Arterial-phase contrast-enhanced abdominal CT, axial slice 55 of 97 (counted from the lowest slice); tube voltage 120 kVp, convolution kernel B30f; slices 5.00 mm thick, 0.824 mm per pixel.
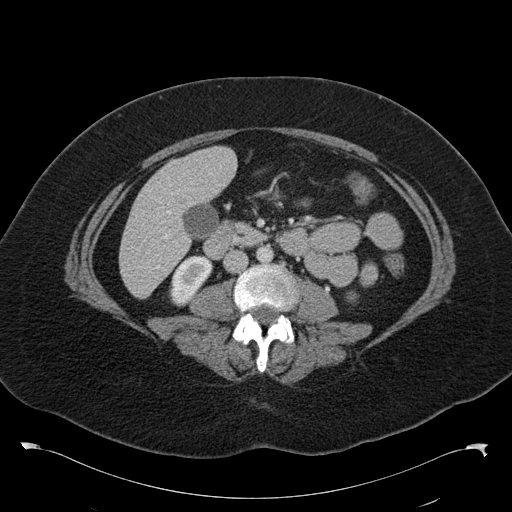
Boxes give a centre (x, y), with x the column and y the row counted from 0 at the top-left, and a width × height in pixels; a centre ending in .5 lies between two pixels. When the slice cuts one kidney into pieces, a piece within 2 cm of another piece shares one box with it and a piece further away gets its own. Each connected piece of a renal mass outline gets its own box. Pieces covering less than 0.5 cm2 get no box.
Two kidney boxes on this slice; by box centre, from the image's left to its right: (1) Right kidney in a box with centre (191, 280.5), 45 × 52 pixels (outlined area 1,505 px, about 10.2 cm2). (2) Left kidney, box centre (352, 296.5), 13 × 12 pixels (outlined area 103 px, about 0.7 cm2). No renal mass outline on this slice.